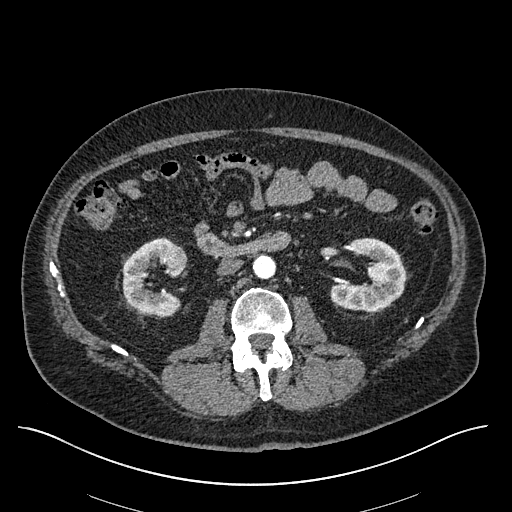
One axial slice (303 of 670, counting up from the lowest) of an arterial-phase abdominal CT acquired with 120 kVp, kernel I30f; each pixel is 0.861 mm and the slice is 1.00 mm thick.
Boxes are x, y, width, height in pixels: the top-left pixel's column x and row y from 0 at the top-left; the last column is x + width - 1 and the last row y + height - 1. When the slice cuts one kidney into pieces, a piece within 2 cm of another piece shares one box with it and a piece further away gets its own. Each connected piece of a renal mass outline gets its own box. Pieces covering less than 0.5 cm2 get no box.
Boxed on this slice (two kidney boxes and one renal mass box), listed by box centre from the image's left to its right: (1) Right kidney at x 122, y 237, width 66, height 80 (outlined area 3,022 px, about 22.4 cm2). (2) Right renal mass, box x 163, y 245, width 25, height 24 (outlined area 467 px, about 3.5 cm2). (3) Box x 330, y 237, width 76, height 74: left kidney (outlined area 3,678 px, about 27.3 cm2).